Abdominal CT with intravenous contrast, arterial phase, axial plane, 100 kVp, kernel I31f. Slice 75/195 from the bottom of the scan; thickness 1.50 mm; pixel size 0.707 mm.
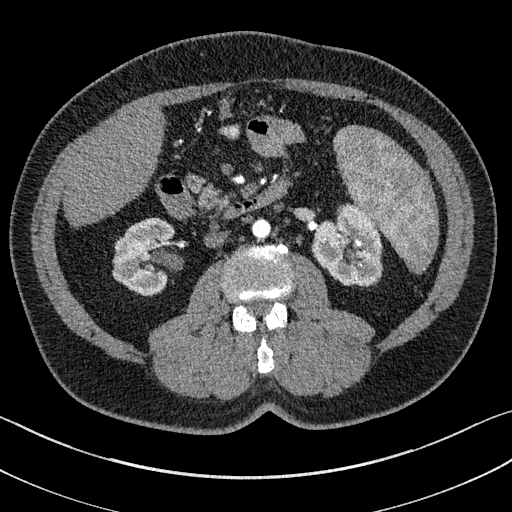
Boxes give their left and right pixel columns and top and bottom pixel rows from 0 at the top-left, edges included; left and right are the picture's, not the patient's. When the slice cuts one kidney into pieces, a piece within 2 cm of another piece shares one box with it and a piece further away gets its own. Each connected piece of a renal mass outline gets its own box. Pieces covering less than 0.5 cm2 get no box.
Boxed on this slice (two kidney boxes), listed by box centre from the image's left to its right: (1) Box with left 113, top 218, right 173, bottom 295: right kidney (outlined area 3,567 px, about 17.8 cm2). (2) Box with left 312, top 203, right 382, bottom 286: left kidney (outlined area 4,325 px, about 21.6 cm2). No renal mass is outlined on this slice.